Contrast-enhanced abdominal CT, axial slice 22 of 61 (counted from the lowest slice); tube voltage 140 kVp, convolution kernel B41f; slices 3.00 mm thick, 0.939 mm per pixel.
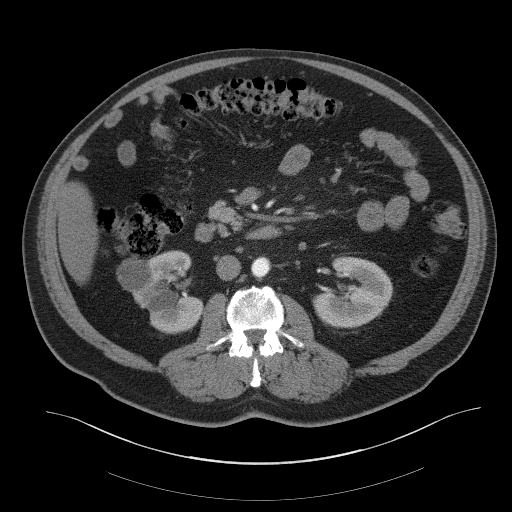
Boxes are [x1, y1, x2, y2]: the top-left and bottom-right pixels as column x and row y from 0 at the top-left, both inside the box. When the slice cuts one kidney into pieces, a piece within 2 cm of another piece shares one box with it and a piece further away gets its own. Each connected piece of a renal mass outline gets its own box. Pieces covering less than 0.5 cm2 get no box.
Two kidney boxes and one renal mass box on this slice; by box centre, from the image's left to its right: (1) Box [116, 256, 151, 292]: right renal mass (outlined area 944 px, about 8.3 cm2). (2) Box [132, 250, 204, 333]: right kidney (outlined area 3,779 px, about 33.4 cm2). (3) Box [312, 256, 392, 327]: left kidney (outlined area 4,042 px, about 35.7 cm2).